Axial slice 337 of 439 of a contrast-enhanced abdominal CT (slice 1 is the lowest), 100 kVp, kernel I40f; 2.00 mm slice thickness and 0.850 mm pixels.
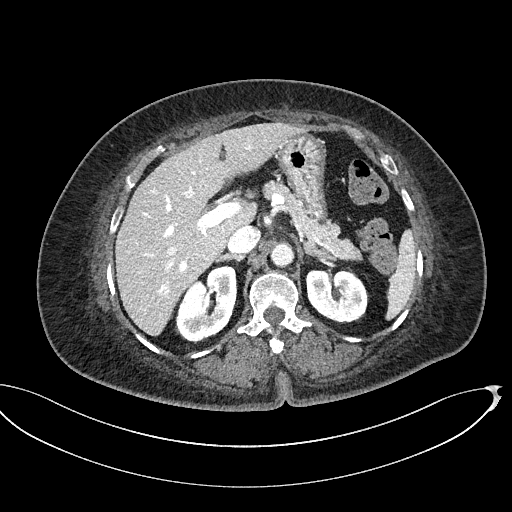
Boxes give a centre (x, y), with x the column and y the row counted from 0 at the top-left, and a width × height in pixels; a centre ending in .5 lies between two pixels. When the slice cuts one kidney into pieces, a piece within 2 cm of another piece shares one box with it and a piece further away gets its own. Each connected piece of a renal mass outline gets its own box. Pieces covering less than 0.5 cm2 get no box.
Two boxes on this slice (two kidney boxes), listed by box centre from the image's left to its right. (1) Right kidney, box centre (206, 304), 63 × 79 pixels (outlined area 3,416 px, about 24.7 cm2). (2) Left kidney in a box with centre (336.5, 295.5), 64 × 54 pixels (outlined area 2,759 px, about 19.9 cm2). This slice carries no renal mass outline.